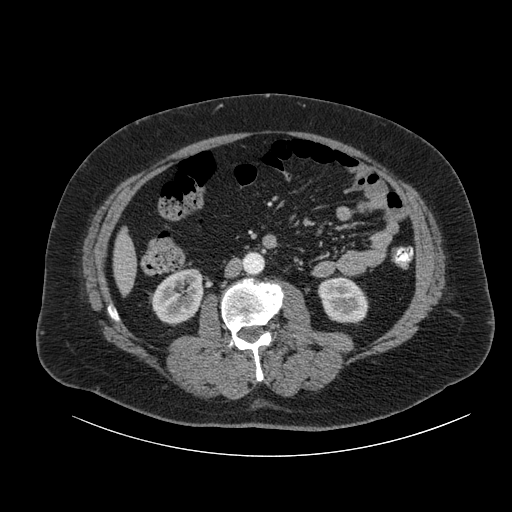
Contrast-enhanced abdominal CT, axial slice 35 of 105 (counted from the lowest slice); tube voltage 120 kVp, convolution kernel B; slices 3.00 mm thick, 0.977 mm per pixel.
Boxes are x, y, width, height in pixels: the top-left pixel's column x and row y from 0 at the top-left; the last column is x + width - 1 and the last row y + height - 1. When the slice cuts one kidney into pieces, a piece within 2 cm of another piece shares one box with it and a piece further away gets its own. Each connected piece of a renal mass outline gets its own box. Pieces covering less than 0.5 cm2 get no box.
Two boxes on this slice (two kidney boxes), listed by box centre from the image's left to its right. (1) Box x 152, y 268, width 53, height 58: right kidney (outlined area 2,267 px, about 21.6 cm2). (2) Box x 317, y 276, width 52, height 48: left kidney (outlined area 1,870 px, about 17.8 cm2). No renal mass is outlined on this slice.